Abdominal CT with intravenous contrast, arterial phase, axial plane, 120 kVp, kernel I30f. Slice 533/738 from the bottom of the scan; thickness 1.00 mm; pixel size 0.789 mm.
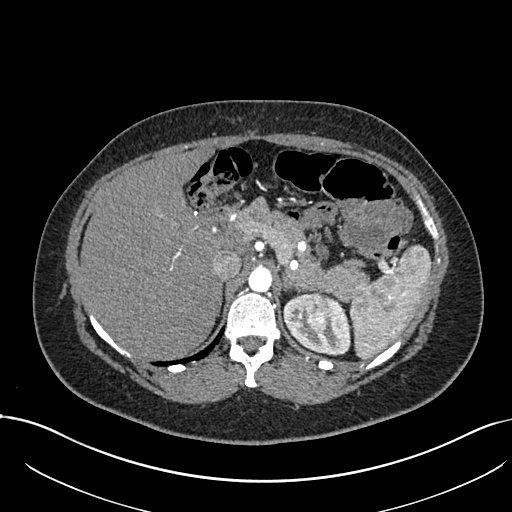
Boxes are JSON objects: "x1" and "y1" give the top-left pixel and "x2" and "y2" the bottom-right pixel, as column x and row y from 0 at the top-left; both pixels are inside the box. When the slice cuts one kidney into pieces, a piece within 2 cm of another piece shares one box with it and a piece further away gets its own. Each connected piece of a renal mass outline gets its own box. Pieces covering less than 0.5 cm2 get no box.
One kidney box and one renal mass box on this slice; by box centre, from the image's left to its right: (1) Box {"x1": 304, "y1": 291, "x2": 329, "y2": 333}: left renal mass (outlined area 881 px, about 5.5 cm2). (2) Box {"x1": 283, "y1": 293, "x2": 350, "y2": 355}: left kidney (outlined area 2,446 px, about 15.2 cm2).